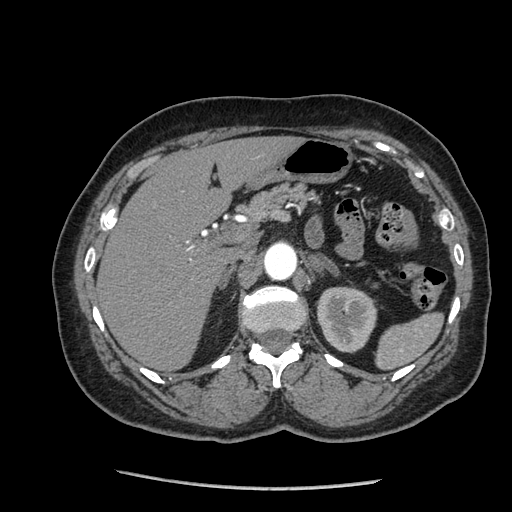
Arterial-phase contrast-enhanced abdominal CT, axial slice 153 of 233 (counted from the lowest slice); tube voltage 120 kVp, convolution kernel STANDARD; slices 1.25 mm thick, 0.703 mm per pixel.
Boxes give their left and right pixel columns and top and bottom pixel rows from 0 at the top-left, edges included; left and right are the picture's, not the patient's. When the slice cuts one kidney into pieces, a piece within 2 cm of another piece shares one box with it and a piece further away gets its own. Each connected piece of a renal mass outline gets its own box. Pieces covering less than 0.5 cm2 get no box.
Left kidney, the box with left 317, top 286, right 377, bottom 353 (outlined area 3,180 px, about 15.7 cm2). No renal mass outline on this slice.